Arterial-phase contrast-enhanced abdominal CT, axial slice 20 of 97 (counted from the lowest slice); tube voltage 100 kVp, convolution kernel I40f; slices 3.00 mm thick, 0.797 mm per pixel.
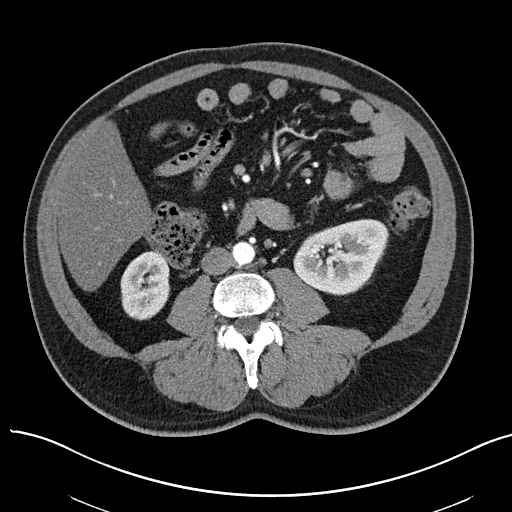
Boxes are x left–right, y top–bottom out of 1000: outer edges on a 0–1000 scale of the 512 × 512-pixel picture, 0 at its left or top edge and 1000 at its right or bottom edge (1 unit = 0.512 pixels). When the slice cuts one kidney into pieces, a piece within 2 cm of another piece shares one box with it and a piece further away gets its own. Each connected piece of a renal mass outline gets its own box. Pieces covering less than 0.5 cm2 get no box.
Boxed on this slice (two kidney boxes), listed by box centre from the image's left to its right: (1) Right kidney at x 234–334, y 488–627 out of 1000 (outlined area 2,772 px, about 17.6 cm2). (2) Left kidney at x 572–762, y 428–578 out of 1000 (outlined area 5,350 px, about 34.0 cm2). No renal mass is outlined on this slice.